One axial slice (561 of 738, counting up from the lowest) of an arterial-phase abdominal CT acquired with 120 kVp, kernel I30f; each pixel is 0.789 mm and the slice is 1.00 mm thick.
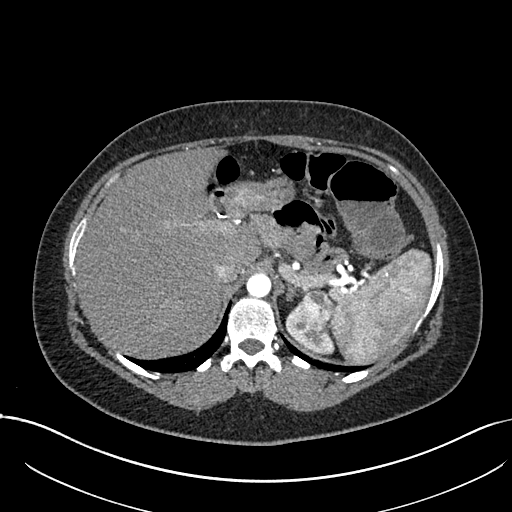
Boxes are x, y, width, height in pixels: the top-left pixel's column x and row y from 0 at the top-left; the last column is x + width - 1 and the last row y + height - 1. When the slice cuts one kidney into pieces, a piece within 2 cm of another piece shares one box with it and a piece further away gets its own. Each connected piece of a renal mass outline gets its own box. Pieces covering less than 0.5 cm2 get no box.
Two boxes on this slice (one kidney box and one renal mass box), listed by box centre from the image's left to its right. (1) Box x 285, y 308, width 50, height 46: left kidney (outlined area 1,008 px, about 6.3 cm2). (2) Left renal mass, box x 295, y 289, width 38, height 44 (outlined area 1,186 px, about 7.4 cm2).